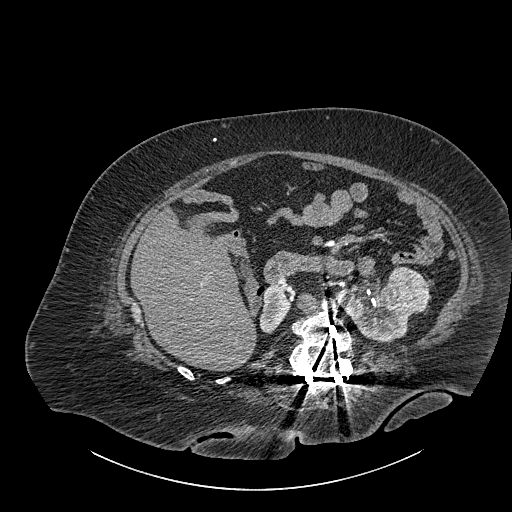
One axial slice (537 of 834, counting up from the lowest) of a contrast-enhanced abdominal CT acquired with 140 kVp, kernel I30f; each pixel is 0.977 mm and the slice is 1.00 mm thick.
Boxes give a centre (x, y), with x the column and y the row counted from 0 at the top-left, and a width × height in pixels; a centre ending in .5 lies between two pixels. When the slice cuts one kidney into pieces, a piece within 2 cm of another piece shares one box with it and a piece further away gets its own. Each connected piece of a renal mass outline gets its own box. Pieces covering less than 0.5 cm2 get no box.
Two kidney boxes and one renal mass box on this slice; by box centre, from the image's left to its right: (1) Right part of the midline-crossing kidney, box centre (274.5, 308.5), 32 × 48 pixels (outlined area 1,037 px, about 9.9 cm2). (2) Left part of the midline-crossing kidney, box centre (373, 311.5), 77 × 62 pixels (outlined area 2,736 px, about 26.1 cm2). (3) Renal mass in a box with centre (407.5, 289), 42 × 49 pixels (outlined area 1,509 px, about 14.4 cm2).